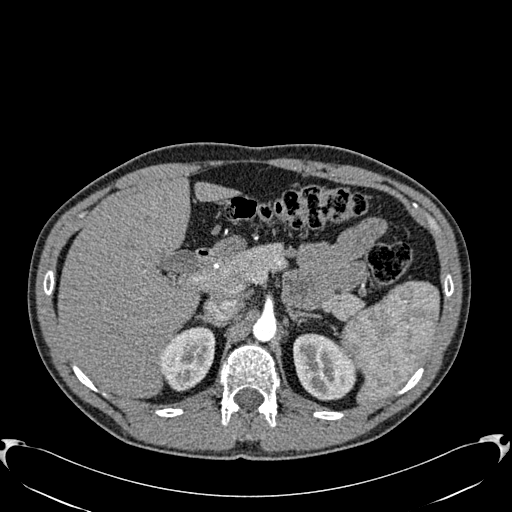
Arterial-phase contrast-enhanced abdominal CT, axial slice 425 of 512 (counted from the lowest slice); tube voltage 120 kVp, convolution kernel B30f; slices 1.00 mm thick, 0.771 mm per pixel.
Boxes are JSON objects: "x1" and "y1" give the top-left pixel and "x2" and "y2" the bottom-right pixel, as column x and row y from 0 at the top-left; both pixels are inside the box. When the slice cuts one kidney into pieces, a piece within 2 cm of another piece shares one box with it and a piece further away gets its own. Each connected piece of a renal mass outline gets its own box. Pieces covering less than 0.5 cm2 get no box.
Two kidney boxes on this slice; by box centre, from the image's left to its right: (1) Right kidney at {"x1": 159, "y1": 326, "x2": 215, "y2": 390} (outlined area 2,631 px, about 15.7 cm2). (2) Left kidney at {"x1": 293, "y1": 333, "x2": 355, "y2": 400} (outlined area 3,207 px, about 19.1 cm2).